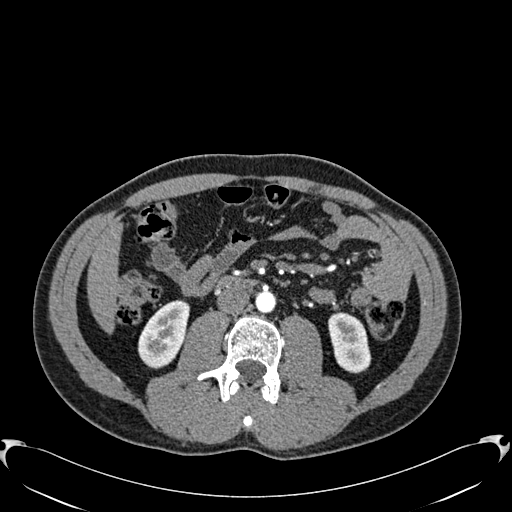
One axial slice (292 of 512, counting up from the lowest) of an arterial-phase abdominal CT acquired with 120 kVp, kernel B30f; each pixel is 0.771 mm and the slice is 1.00 mm thick.
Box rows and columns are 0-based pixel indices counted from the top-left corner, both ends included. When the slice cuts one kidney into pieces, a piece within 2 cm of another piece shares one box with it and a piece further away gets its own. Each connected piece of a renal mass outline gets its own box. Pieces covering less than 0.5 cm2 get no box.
Two boxes on this slice (two kidney boxes), listed by box centre from the image's left to its right. (1) Box rows 299–368, columns 137–189: right kidney (outlined area 2,488 px, about 14.8 cm2). (2) Left kidney, box rows 312–373, columns 328–371 (outlined area 1,998 px, about 11.9 cm2). This slice carries no renal mass outline.